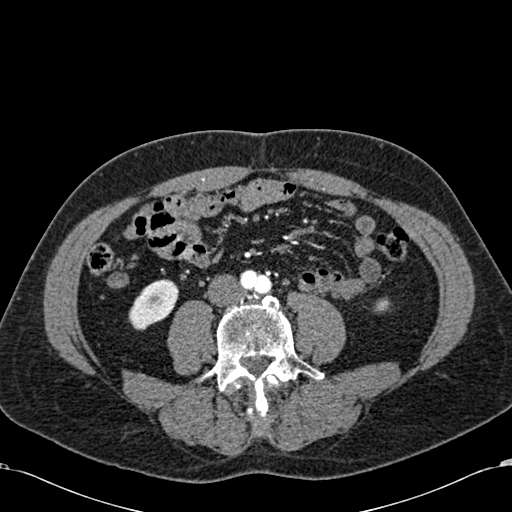
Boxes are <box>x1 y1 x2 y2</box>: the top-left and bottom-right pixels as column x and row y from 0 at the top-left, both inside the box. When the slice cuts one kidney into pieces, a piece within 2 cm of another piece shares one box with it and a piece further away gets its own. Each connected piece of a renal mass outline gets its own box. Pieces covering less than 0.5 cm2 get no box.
Slice 210/581 of a contrast-enhanced abdominal CT in the arterial phase, counting up from the lowest; pixel size 0.713 mm, slice thickness 1.00 mm. Two boxes on this slice (two kidney boxes), listed by box centre from the image's left to its right. (1) Right kidney: <box>128 279 178 330</box> (outlined area 1,732 px, about 8.8 cm2). (2) At <box>374 299 386 310</box>: left kidney (outlined area 123 px, about 0.6 cm2). No renal mass is outlined on this slice.
Tube voltage 120 kVp; convolution kernel B30f.